Axial slice 148 of 325 of a contrast-enhanced abdominal CT in the arterial phase (slice 1 is the lowest), 100 kVp, kernel I30f; 1.00 mm slice thickness and 0.703 mm pixels.
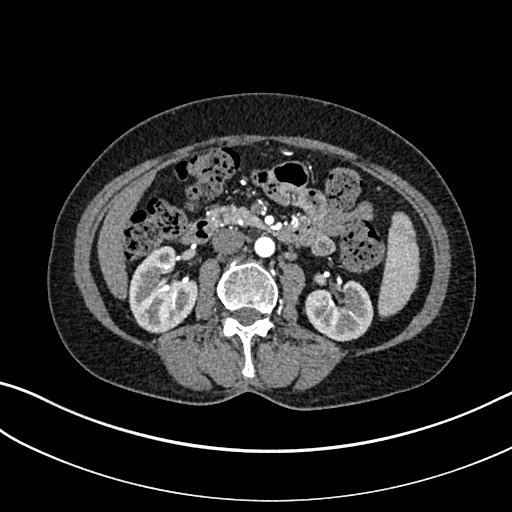
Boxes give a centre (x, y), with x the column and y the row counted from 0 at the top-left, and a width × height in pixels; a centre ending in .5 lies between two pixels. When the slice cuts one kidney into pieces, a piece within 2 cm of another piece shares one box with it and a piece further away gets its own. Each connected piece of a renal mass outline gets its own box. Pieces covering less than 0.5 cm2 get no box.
Boxed on this slice (two kidney boxes), listed by box centre from the image's left to its right: (1) Right kidney, box centre (162, 289.5), 71 × 88 pixels (outlined area 4,267 px, about 21.1 cm2). (2) Box centre (338.5, 310.5), 70 × 62 pixels: left kidney (outlined area 3,180 px, about 15.7 cm2). This slice carries no renal mass outline.